One axial slice (474 of 612, counting up from the lowest) of an arterial-phase abdominal CT acquired with 120 kVp, kernel I30f; each pixel is 0.703 mm and the slice is 1.00 mm thick.
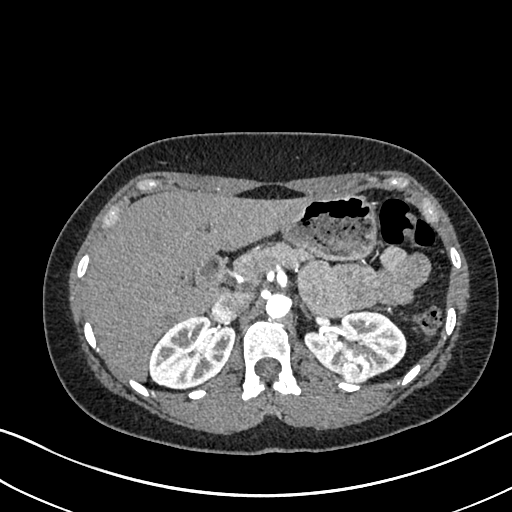
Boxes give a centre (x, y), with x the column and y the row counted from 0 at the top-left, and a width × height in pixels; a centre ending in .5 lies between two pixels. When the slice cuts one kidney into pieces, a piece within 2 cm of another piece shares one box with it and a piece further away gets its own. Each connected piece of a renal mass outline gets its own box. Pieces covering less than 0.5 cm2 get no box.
Two kidney boxes and one renal mass box on this slice; by box centre, from the image's left to its right: (1) Right kidney, box centre (191.5, 351.5), 86 × 76 pixels (outlined area 4,655 px, about 23.0 cm2). (2) Left renal mass in a box with centre (354, 368), 31 × 27 pixels (outlined area 674 px, about 3.3 cm2). (3) Left kidney in a box with centre (355, 344), 103 × 69 pixels (outlined area 4,500 px, about 22.2 cm2).